Abdominal CT with intravenous contrast, arterial phase, axial plane, 120 kVp, kernel B20f. Slice 590/719 from the bottom of the scan; thickness 1.00 mm; pixel size 0.766 mm.
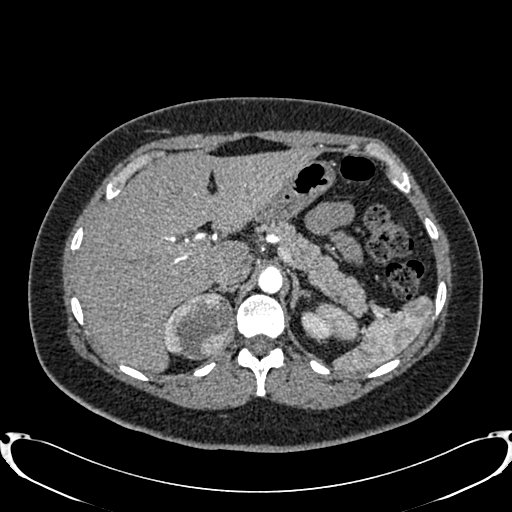
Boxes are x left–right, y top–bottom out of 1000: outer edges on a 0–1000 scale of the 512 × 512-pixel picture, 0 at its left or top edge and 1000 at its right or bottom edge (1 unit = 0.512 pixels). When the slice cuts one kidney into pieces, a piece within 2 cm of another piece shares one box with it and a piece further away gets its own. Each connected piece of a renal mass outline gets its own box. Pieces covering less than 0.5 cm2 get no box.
Three boxes on this slice (two kidney boxes and one renal mass box), listed by box centre from the image's left to its right. (1) Box x 318–344, y 615–693 out of 1000: right kidney (outlined area 141 px, about 0.8 cm2). (2) Right renal mass, box x 324–459, y 568–705 out of 1000 (outlined area 3,578 px, about 21.0 cm2). (3) Left kidney at x 588–648, y 605–666 out of 1000 (outlined area 693 px, about 4.1 cm2).